Abdominal CT with intravenous contrast, arterial phase, axial plane, 140 kVp, kernel I30f. Slice 572/673 from the bottom of the scan; thickness 1.00 mm; pixel size 0.957 mm.
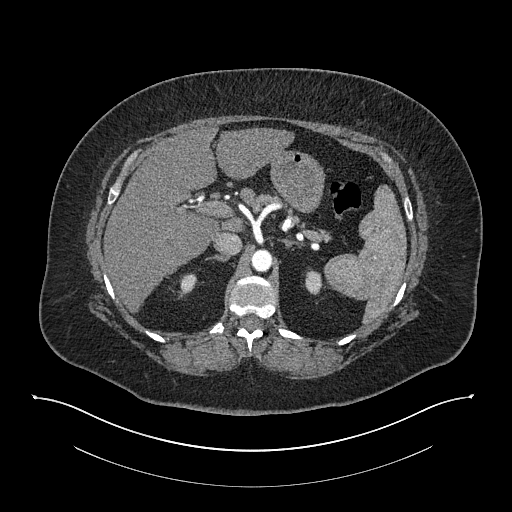
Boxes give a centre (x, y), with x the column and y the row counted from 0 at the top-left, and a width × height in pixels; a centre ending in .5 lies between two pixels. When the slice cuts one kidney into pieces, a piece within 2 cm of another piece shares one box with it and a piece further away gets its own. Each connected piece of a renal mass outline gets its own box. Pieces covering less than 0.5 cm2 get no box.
Two kidney boxes on this slice; by box centre, from the image's left to its right: (1) Box centre (188, 285), 19 × 25 pixels: right kidney (outlined area 310 px, about 2.8 cm2). (2) Left kidney, box centre (313, 281), 19 × 27 pixels (outlined area 361 px, about 3.3 cm2). This slice carries no renal mass outline.